One axial slice (211 of 620, counting up from the lowest) of an arterial-phase abdominal CT acquired with 120 kVp, kernel B31f; each pixel is 0.637 mm and the slice is 2.00 mm thick.
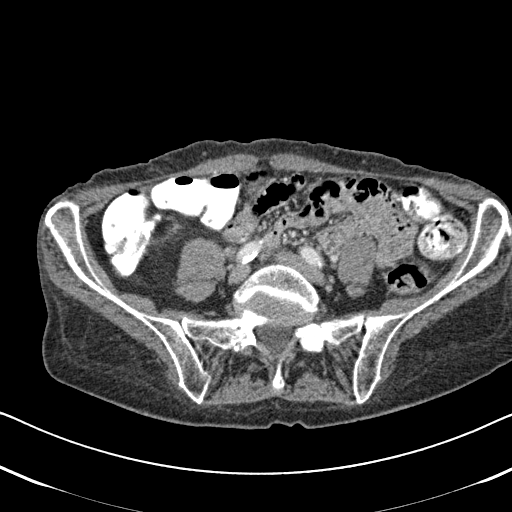
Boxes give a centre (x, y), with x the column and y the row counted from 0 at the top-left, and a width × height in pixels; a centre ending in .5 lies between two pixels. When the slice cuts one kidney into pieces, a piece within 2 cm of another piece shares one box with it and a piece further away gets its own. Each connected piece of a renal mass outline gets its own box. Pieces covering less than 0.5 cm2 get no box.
Right kidney, box centre (171.5, 231), 14 × 17 pixels (outlined area 139 px, about 0.6 cm2). No renal mass outline on this slice.